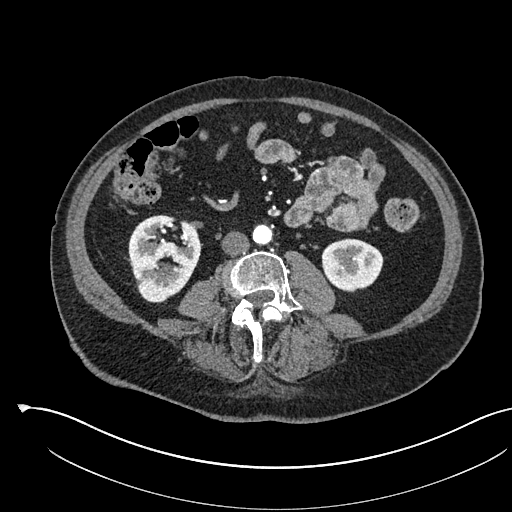
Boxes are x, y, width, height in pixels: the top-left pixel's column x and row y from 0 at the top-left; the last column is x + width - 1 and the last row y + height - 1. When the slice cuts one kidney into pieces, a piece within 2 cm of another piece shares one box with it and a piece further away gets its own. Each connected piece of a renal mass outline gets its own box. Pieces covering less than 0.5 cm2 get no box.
Arterial-phase contrast-enhanced abdominal CT, axial slice 247 of 541 (counted from the lowest slice); 1.00 mm thick, 0.834 mm per pixel. Boxed on this slice (two kidney boxes), listed by box centre from the image's left to its right: (1) Box x 128, y 215, width 74, height 88: right kidney (outlined area 4,642 px, about 32.3 cm2). (2) Left kidney at x 321, y 238, width 63, height 55 (outlined area 2,605 px, about 18.1 cm2). No renal mass outline on this slice.
Tube voltage 120 kVp; convolution kernel I30f.